Arterial-phase contrast-enhanced abdominal CT, axial slice 232 of 670 (counted from the lowest slice); tube voltage 120 kVp, convolution kernel I30f; slices 1.00 mm thick, 0.861 mm per pixel.
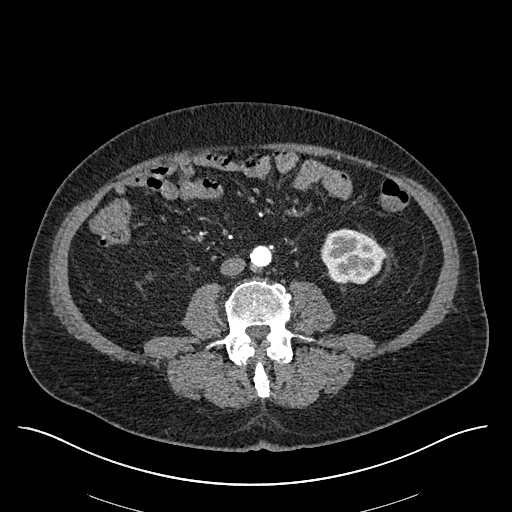
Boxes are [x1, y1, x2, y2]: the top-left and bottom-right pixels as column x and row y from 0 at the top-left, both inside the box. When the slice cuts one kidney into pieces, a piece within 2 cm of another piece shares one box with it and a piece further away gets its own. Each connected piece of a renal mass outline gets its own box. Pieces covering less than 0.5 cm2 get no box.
Left kidney, box [320, 228, 384, 283] (outlined area 2,768 px, about 20.5 cm2). No renal mass is outlined on this slice.